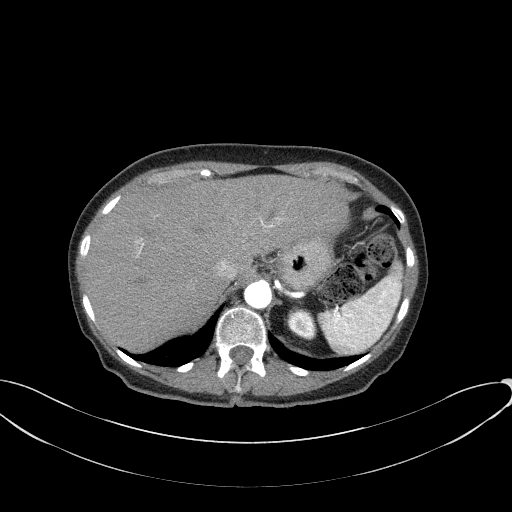
One axial slice (56 of 77, counting up from the lowest) of an arterial-phase abdominal CT acquired with 100 kVp, kernel B41f; each pixel is 0.809 mm and the slice is 3.00 mm thick.
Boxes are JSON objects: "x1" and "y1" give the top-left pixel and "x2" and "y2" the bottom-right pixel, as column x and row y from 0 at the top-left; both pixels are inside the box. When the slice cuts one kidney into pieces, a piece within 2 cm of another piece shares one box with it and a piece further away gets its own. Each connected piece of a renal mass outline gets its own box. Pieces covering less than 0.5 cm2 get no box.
Left kidney at {"x1": 286, "y1": 308, "x2": 316, "y2": 340} (outlined area 751 px, about 4.9 cm2). This slice carries no renal mass outline.